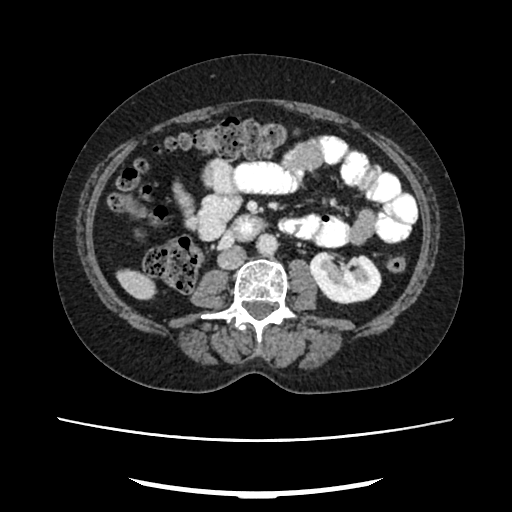
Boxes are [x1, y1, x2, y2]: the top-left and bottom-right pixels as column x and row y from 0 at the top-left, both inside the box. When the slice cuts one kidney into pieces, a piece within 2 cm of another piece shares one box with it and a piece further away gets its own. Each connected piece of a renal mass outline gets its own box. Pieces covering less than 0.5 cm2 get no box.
Slice 119/207 of a contrast-enhanced abdominal CT in the arterial phase, counting up from the lowest; pixel size 0.741 mm, slice thickness 2.00 mm. Left kidney at [308, 250, 381, 304] (outlined area 2,949 px, about 16.2 cm2). No renal mass is outlined on this slice.
Acquired at 120 kVp and reconstructed with the FC18 kernel.